Axial slice 108 of 207 of a contrast-enhanced abdominal CT in the arterial phase (slice 1 is the lowest), 120 kVp, kernel FC18; 2.00 mm slice thickness and 0.741 mm pixels.
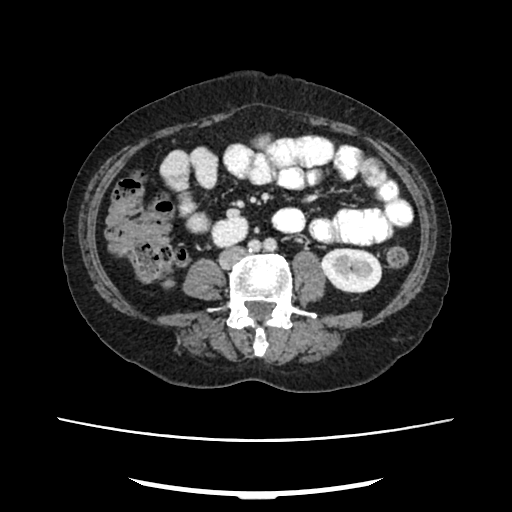
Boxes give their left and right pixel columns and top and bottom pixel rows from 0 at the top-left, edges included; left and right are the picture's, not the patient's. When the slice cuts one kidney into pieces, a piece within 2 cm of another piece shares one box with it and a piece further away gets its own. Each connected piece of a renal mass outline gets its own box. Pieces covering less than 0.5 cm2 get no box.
Boxed on this slice (two kidney boxes), listed by box centre from the image's left to its right: (1) Box with left 210, top 216, right 249, bottom 247: right kidney (outlined area 978 px, about 5.4 cm2). (2) Left kidney, the box with left 321, top 248, right 382, bottom 293 (outlined area 2,244 px, about 12.3 cm2). No renal mass is outlined on this slice.